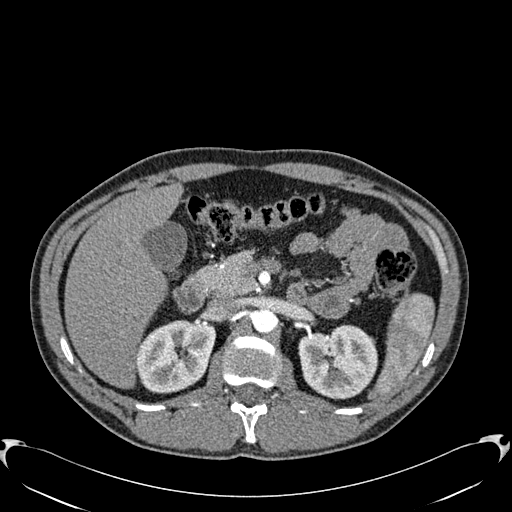
Axial slice 392 of 512 of a contrast-enhanced abdominal CT in the arterial phase (slice 1 is the lowest), 120 kVp, kernel B30f; 1.00 mm slice thickness and 0.771 mm pixels.
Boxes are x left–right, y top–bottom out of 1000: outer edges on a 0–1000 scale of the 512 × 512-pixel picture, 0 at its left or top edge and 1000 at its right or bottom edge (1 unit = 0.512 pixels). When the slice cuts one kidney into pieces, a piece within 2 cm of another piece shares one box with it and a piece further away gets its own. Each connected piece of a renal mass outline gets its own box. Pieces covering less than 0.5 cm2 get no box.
Two kidney boxes on this slice; by box centre, from the image's left to its right: (1) Right kidney, box x 264–422, y 625–770 out of 1000 (outlined area 4,554 px, about 27.1 cm2). (2) Box x 582–738, y 635–781 out of 1000: left kidney (outlined area 4,681 px, about 27.9 cm2). No renal mass is outlined on this slice.